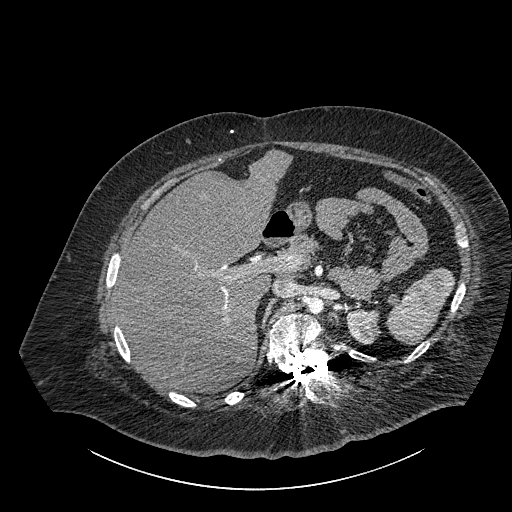
Abdominal CT with intravenous contrast, axial plane, 140 kVp, kernel I30f. Slice 632/834 from the bottom of the scan; thickness 1.00 mm; pixel size 0.977 mm.
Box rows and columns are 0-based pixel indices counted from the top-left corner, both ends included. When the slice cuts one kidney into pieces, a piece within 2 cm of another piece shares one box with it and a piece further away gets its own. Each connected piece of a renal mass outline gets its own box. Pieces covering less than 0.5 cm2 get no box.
Box rows 308–344, columns 346–381: left part of the midline-crossing kidney (outlined area 995 px, about 9.5 cm2). No renal mass is outlined on this slice.